Axial slice 484 of 719 of a contrast-enhanced abdominal CT in the arterial phase (slice 1 is the lowest), 120 kVp, kernel B20f; 1.00 mm slice thickness and 0.766 mm pixels.
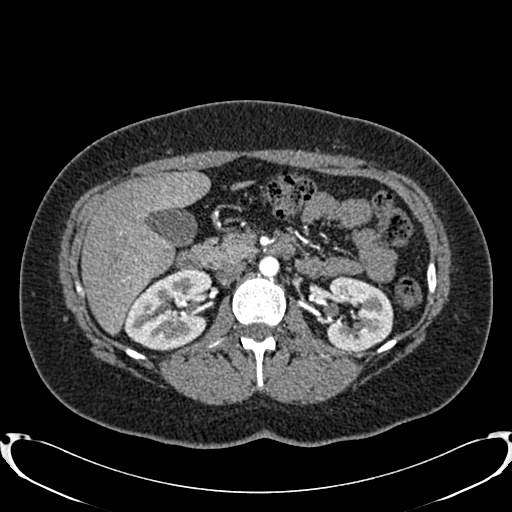
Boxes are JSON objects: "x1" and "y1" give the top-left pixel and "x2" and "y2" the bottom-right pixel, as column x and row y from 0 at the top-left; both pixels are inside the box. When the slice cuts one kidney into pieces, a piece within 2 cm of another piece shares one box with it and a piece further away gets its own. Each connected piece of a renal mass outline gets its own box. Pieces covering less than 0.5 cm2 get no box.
Boxed on this slice (two kidney boxes), listed by box centre from the image's left to its right: (1) Right kidney at {"x1": 124, "y1": 268, "x2": 212, "y2": 351} (outlined area 5,302 px, about 31.1 cm2). (2) Box {"x1": 326, "y1": 275, "x2": 393, "y2": 350}: left kidney (outlined area 3,918 px, about 23.0 cm2). No renal mass is outlined on this slice.